Abdominal CT with intravenous contrast, arterial phase, axial plane, 120 kVp, kernel I30f. Slice 137/261 from the bottom of the scan; thickness 2.00 mm; pixel size 0.939 mm.
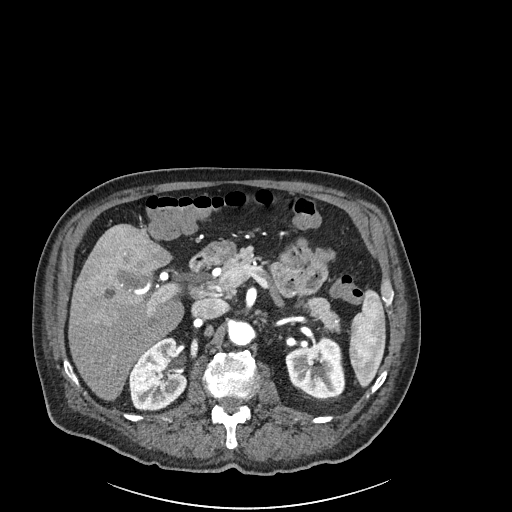
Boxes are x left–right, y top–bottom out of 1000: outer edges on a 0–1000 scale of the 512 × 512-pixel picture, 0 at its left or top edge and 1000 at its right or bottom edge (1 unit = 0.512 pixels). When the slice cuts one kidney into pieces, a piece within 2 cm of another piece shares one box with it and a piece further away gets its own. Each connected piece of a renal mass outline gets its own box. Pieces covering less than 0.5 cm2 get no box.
Boxed on this slice (two kidney boxes), listed by box centre from the image's left to its right: (1) Box x 252–369, y 658–803 out of 1000: right kidney (outlined area 3,158 px, about 27.9 cm2). (2) Box x 557–674, y 660–779 out of 1000: left kidney (outlined area 2,722 px, about 24.0 cm2). This slice carries no renal mass outline.